Axial slice 433 of 834 of a contrast-enhanced abdominal CT (slice 1 is the lowest), 140 kVp, kernel I30f; 1.00 mm slice thickness and 0.977 mm pixels.
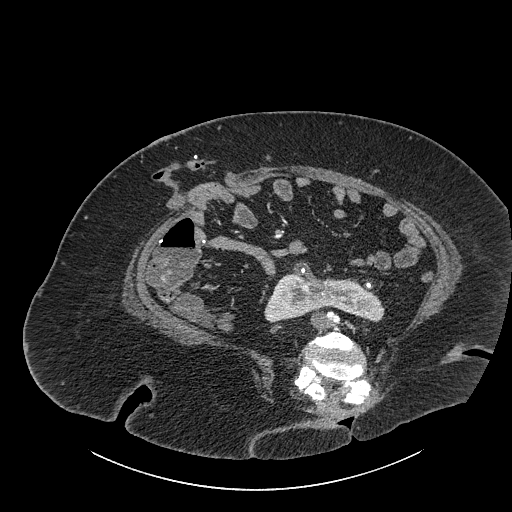
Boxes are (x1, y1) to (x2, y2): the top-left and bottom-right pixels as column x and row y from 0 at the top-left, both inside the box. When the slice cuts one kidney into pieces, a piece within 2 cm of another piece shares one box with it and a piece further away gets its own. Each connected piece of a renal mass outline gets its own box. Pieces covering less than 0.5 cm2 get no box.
Kidney crossing the body midline, box (264, 261) to (384, 322) (outlined area 4,259 px, about 40.6 cm2). This slice carries no renal mass outline.